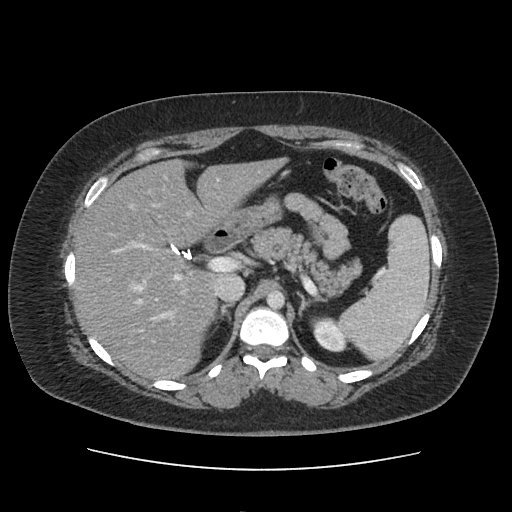
Arterial-phase contrast-enhanced abdominal CT, axial slice 81 of 103 (counted from the lowest slice); tube voltage 120 kVp, convolution kernel FC19; slices 5.00 mm thick, 0.873 mm per pixel.
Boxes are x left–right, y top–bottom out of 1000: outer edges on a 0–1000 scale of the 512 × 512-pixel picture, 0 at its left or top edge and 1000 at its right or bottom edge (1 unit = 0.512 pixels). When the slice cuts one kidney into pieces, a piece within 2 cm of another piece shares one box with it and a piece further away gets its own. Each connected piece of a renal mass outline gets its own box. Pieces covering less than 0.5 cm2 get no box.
Left kidney at x 609–680, y 621–689 out of 1000 (outlined area 863 px, about 6.6 cm2). No renal mass is outlined on this slice.